Abdominal CT with intravenous contrast, axial plane, 140 kVp, kernel I30f. Slice 648/834 from the bottom of the scan; thickness 1.00 mm; pixel size 0.977 mm.
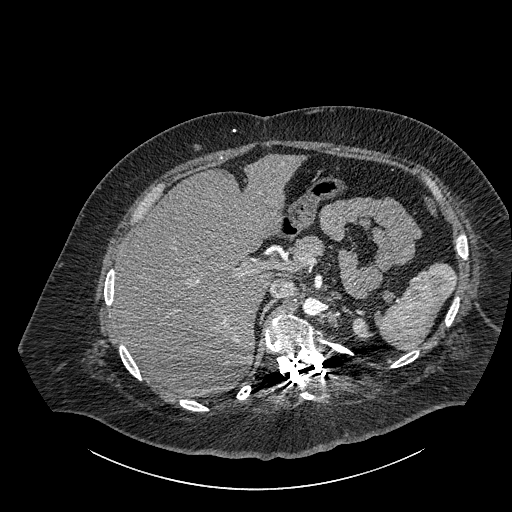
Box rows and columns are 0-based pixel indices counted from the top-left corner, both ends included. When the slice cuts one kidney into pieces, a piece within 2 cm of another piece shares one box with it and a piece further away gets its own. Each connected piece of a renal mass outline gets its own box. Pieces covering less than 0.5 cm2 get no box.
Left part of the midline-crossing kidney, box rows 317–340, columns 352–373 (outlined area 341 px, about 3.3 cm2). No renal mass is outlined on this slice.